Axial slice 367 of 626 of a contrast-enhanced abdominal CT in the arterial phase (slice 1 is the lowest), 120 kVp, kernel I30f; 1.00 mm slice thickness and 0.703 mm pixels.
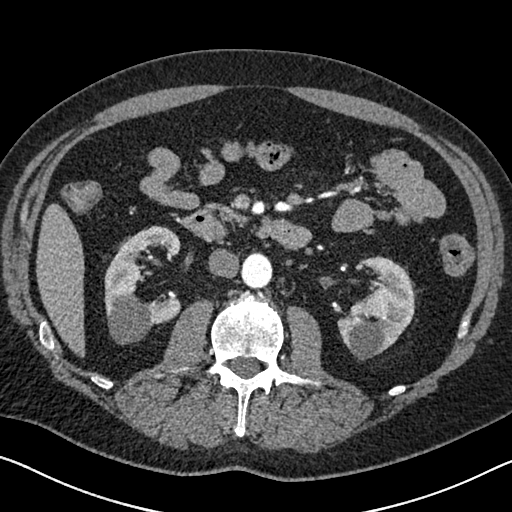
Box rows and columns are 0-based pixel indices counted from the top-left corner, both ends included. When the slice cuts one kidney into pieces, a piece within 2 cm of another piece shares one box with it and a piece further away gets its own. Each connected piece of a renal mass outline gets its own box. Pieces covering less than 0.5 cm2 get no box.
Two kidney boxes on this slice; by box centre, from the image's left to its right: (1) Right kidney at rows 225–345, columns 104–180 (outlined area 5,570 px, about 27.5 cm2). (2) Left kidney, box rows 256–360, columns 337–415 (outlined area 5,089 px, about 25.2 cm2). This slice carries no renal mass outline.